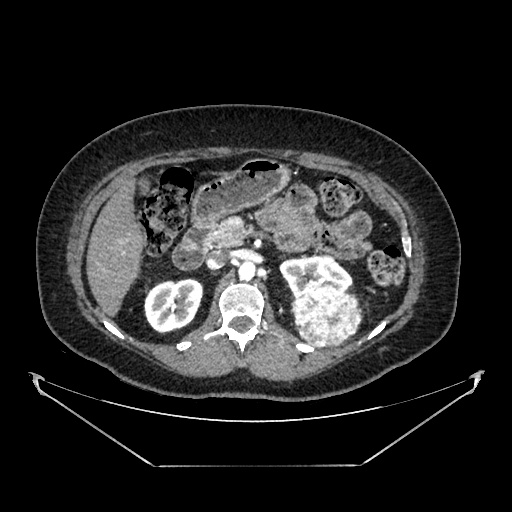
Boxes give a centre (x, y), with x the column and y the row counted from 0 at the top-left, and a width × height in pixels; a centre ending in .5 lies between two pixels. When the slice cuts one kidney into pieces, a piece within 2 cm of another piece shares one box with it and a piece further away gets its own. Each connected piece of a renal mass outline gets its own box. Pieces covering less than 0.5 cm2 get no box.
Slice 249/383 of a contrast-enhanced abdominal CT in the arterial phase, counting up from the lowest; pixel size 0.898 mm, slice thickness 1.25 mm. Two kidney boxes and one renal mass box on this slice; by box centre, from the image's left to its right: (1) Box centre (173.5, 306), 60 × 57 pixels: right kidney (outlined area 2,596 px, about 21.0 cm2). (2) Left kidney in a box with centre (315.5, 275.5), 74 × 44 pixels (outlined area 2,059 px, about 16.6 cm2). (3) Box centre (326, 316), 71 × 65 pixels: left renal mass (outlined area 3,461 px, about 27.9 cm2).
Tube voltage 100 kVp; convolution kernel SOFT.